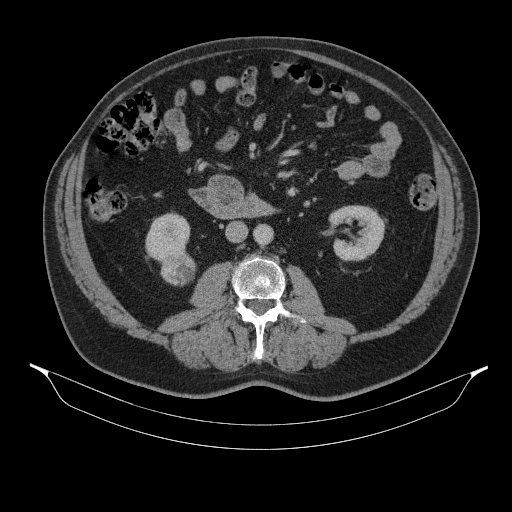
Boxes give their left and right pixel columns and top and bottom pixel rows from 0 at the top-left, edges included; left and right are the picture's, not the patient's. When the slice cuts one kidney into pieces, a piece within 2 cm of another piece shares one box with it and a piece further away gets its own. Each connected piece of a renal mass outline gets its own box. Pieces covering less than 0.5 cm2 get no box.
Contrast-enhanced abdominal CT, axial slice 180 of 314 (counted from the lowest slice); 2.50 mm thick, 0.934 mm per pixel. Three boxes on this slice (two kidney boxes and one renal mass box), listed by box centre from the image's left to its right. (1) Box with left 145, top 212, right 190, bottom 263: right kidney (outlined area 1,555 px, about 13.6 cm2). (2) Right renal mass, the box with left 160, top 248, right 195, bottom 286 (outlined area 1,070 px, about 9.3 cm2). (3) Left kidney in the box with left 328, top 205, right 384, bottom 261 (outlined area 2,362 px, about 20.6 cm2).
Acquired at 130 kVp and reconstructed with the B31s kernel.